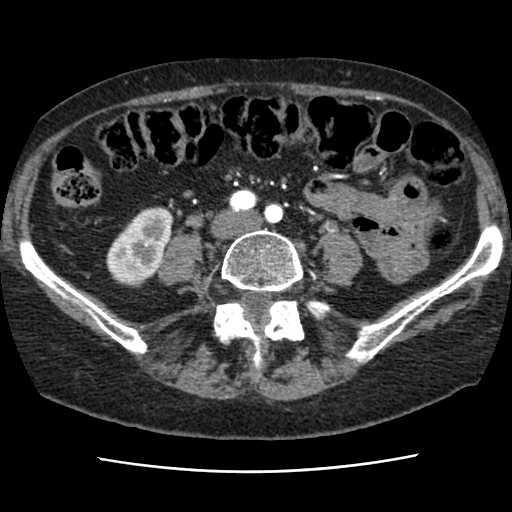
Abdominal CT with intravenous contrast, axial plane, 120 kVp, kernel STANDARD. Slice 16/76 from the bottom of the scan; thickness 2.50 mm; pixel size 0.586 mm.
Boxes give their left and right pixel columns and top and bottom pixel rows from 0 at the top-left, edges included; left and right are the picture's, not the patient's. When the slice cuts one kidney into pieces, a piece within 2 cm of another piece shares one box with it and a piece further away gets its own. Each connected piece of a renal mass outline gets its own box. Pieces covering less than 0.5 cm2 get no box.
Box with left 106, top 206, right 173, bottom 287: right kidney (outlined area 3,674 px, about 12.6 cm2). No renal mass is outlined on this slice.